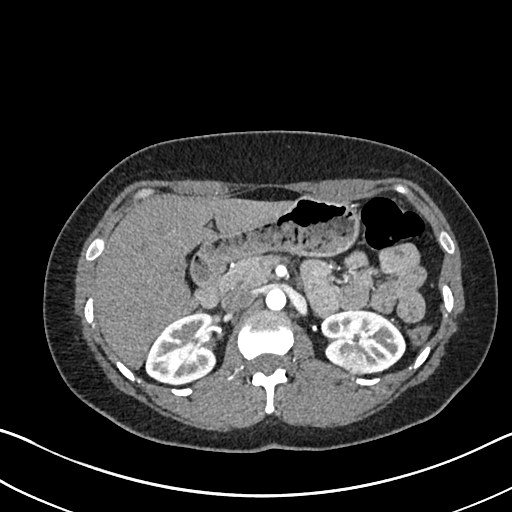
Abdominal CT with intravenous contrast, arterial phase, axial plane, 120 kVp, kernel I30f. Slice 443/612 from the bottom of the scan; thickness 1.00 mm; pixel size 0.703 mm.
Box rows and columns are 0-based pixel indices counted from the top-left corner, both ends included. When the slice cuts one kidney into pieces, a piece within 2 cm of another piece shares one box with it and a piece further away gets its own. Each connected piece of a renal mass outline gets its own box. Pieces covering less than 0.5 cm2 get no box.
Two kidney boxes and one renal mass box on this slice; by box centre, from the image's left to its right: (1) Right kidney, box rows 312–385, columns 145–217 (outlined area 4,018 px, about 19.9 cm2). (2) Left renal mass, box rows 350–374, columns 342–367 (outlined area 542 px, about 2.7 cm2). (3) Box rows 309–373, columns 321–406: left kidney (outlined area 3,784 px, about 18.7 cm2).